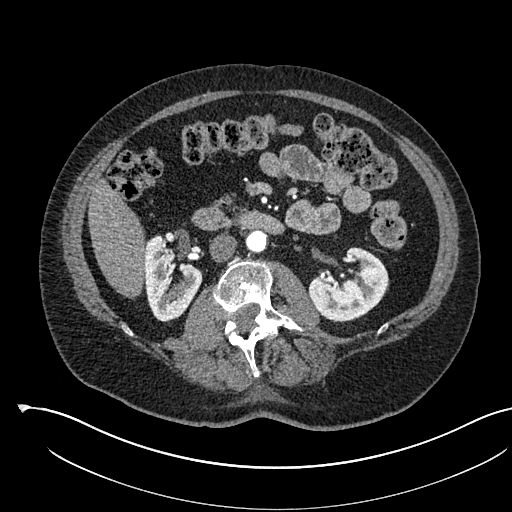
Axial slice 300 of 541 of a contrast-enhanced abdominal CT in the arterial phase (slice 1 is the lowest), 120 kVp, kernel I30f; 1.00 mm slice thickness and 0.834 mm pixels.
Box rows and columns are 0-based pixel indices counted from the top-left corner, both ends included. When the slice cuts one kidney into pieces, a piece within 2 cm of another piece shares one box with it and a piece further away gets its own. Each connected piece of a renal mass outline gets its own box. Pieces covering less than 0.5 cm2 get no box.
Two boxes on this slice (two kidney boxes), listed by box centre from the image's left to its right. (1) Right kidney at rows 234–321, columns 144–202 (outlined area 3,448 px, about 24.0 cm2). (2) Left kidney, box rows 247–320, columns 308–389 (outlined area 3,980 px, about 27.7 cm2). No renal mass outline on this slice.